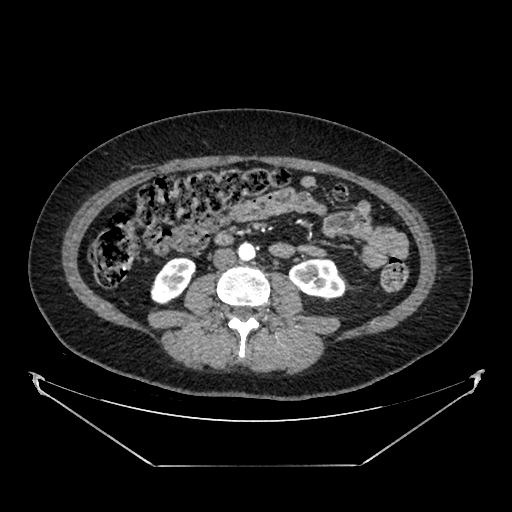
Abdominal CT with intravenous contrast, arterial phase, axial plane, 100 kVp, kernel SOFT. Slice 196/383 from the bottom of the scan; thickness 1.25 mm; pixel size 0.898 mm.
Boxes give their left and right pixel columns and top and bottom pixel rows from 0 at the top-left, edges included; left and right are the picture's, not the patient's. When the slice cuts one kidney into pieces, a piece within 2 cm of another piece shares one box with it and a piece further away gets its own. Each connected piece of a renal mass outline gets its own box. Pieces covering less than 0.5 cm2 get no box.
Two boxes on this slice (two kidney boxes), listed by box centre from the image's left to its right. (1) Box with left 150, top 257, right 196, bottom 304: right kidney (outlined area 1,466 px, about 11.8 cm2). (2) Left kidney, the box with left 288, top 258, right 345, bottom 297 (outlined area 1,766 px, about 14.3 cm2). No renal mass outline on this slice.